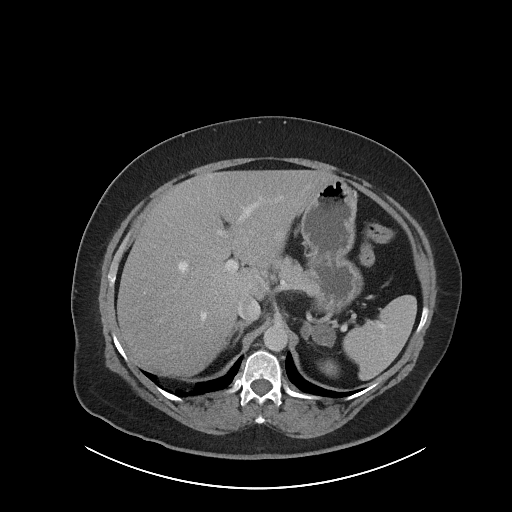
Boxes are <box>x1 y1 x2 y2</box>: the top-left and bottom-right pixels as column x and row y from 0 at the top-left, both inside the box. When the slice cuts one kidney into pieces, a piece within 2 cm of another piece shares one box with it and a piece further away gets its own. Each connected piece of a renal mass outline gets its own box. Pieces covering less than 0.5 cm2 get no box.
Slice 65/86 of a contrast-enhanced abdominal CT in the arterial phase, counting up from the lowest; pixel size 0.977 mm, slice thickness 5.00 mm. Left kidney at <box>320 360 337 375</box> (outlined area 221 px, about 2.1 cm2). This slice carries no renal mass outline.
Tube voltage 120 kVp; convolution kernel I40f.